Abdominal CT with intravenous contrast, axial plane, 120 kVp, kernel B. Slice 111/178 from the bottom of the scan; thickness 3.00 mm; pixel size 0.818 mm.
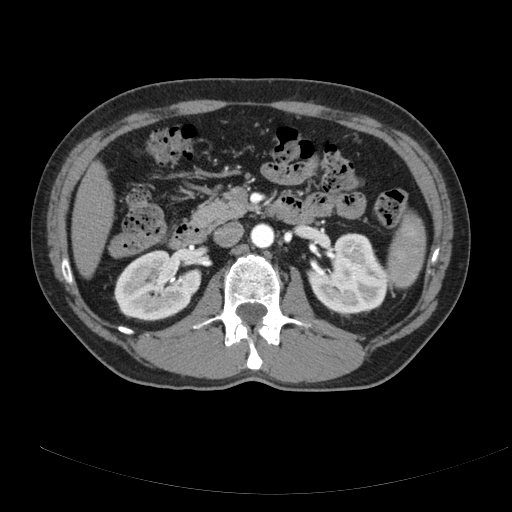
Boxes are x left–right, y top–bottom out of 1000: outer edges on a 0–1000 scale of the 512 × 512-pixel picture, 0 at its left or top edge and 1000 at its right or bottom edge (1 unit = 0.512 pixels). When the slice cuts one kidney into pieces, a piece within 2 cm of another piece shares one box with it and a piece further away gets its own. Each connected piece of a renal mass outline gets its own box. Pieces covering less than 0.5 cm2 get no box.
Boxed on this slice (two kidney boxes), listed by box centre from the image's left to its right: (1) Right kidney, box x 223–395, y 488–629 out of 1000 (outlined area 4,655 px, about 31.2 cm2). (2) Left kidney at x 598–760, y 455–613 out of 1000 (outlined area 4,767 px, about 31.9 cm2). No renal mass outline on this slice.